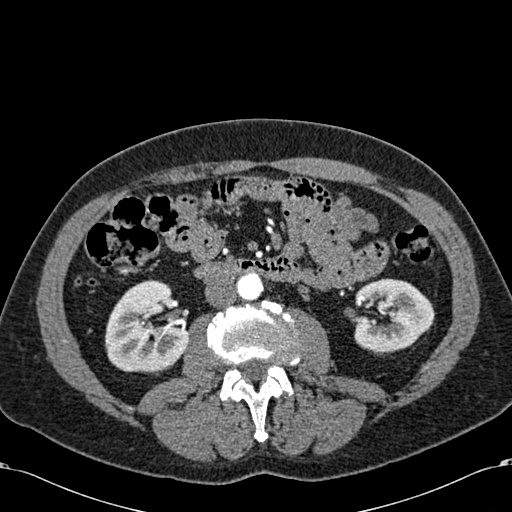
Axial slice 300 of 581 of a contrast-enhanced abdominal CT in the arterial phase (slice 1 is the lowest), 120 kVp, kernel B30f; 1.00 mm slice thickness and 0.713 mm pixels.
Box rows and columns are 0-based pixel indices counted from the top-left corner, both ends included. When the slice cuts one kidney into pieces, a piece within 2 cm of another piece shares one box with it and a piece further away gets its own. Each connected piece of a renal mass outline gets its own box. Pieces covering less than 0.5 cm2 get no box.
Two boxes on this slice (two kidney boxes), listed by box centre from the image's left to its right. (1) Box rows 279–373, columns 105–189: right kidney (outlined area 5,923 px, about 30.1 cm2). (2) Left kidney, box rows 278–352, columns 353–435 (outlined area 4,547 px, about 23.1 cm2). No renal mass outline on this slice.